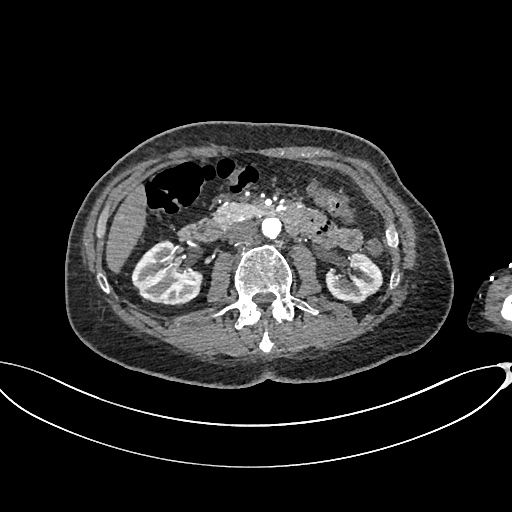
One axial slice (379 of 665, counting up from the lowest) of an arterial-phase abdominal CT acquired with 100 kVp, kernel I26f; each pixel is 0.828 mm and the slice is 1.00 mm thick.
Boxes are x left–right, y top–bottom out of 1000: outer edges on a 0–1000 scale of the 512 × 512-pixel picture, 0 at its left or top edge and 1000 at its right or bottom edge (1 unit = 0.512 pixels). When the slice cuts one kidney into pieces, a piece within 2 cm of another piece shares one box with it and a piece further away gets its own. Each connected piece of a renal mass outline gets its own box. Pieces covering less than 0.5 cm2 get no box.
Two boxes on this slice (two kidney boxes), listed by box centre from the image's left to its right. (1) Box x 256–398, y 471–600 out of 1000: right kidney (outlined area 3,326 px, about 22.8 cm2). (2) Left kidney, box x 637–748, y 494–594 out of 1000 (outlined area 2,106 px, about 14.4 cm2). No renal mass is outlined on this slice.